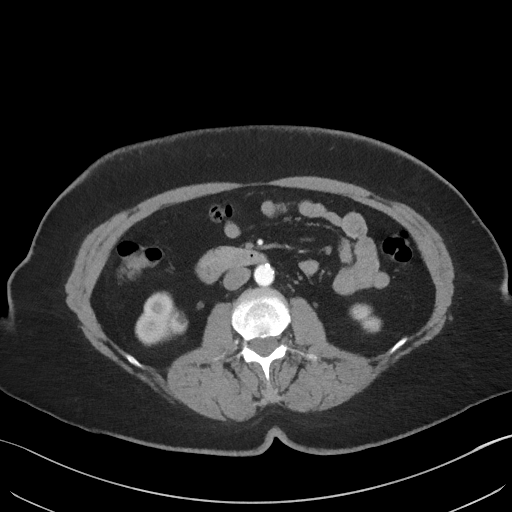
Axial slice 19 of 69 of a contrast-enhanced abdominal CT (slice 1 is the lowest), 140 kVp, kernel I41f; 3.00 mm slice thickness and 0.736 mm pixels.
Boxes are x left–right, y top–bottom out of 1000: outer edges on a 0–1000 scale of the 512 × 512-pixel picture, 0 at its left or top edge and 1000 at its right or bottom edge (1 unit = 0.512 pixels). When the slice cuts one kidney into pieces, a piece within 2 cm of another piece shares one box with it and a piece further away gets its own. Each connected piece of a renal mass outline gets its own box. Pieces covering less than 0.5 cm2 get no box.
Boxed on this slice (two kidney boxes and one renal mass box), listed by box centre from the image's left to its right: (1) Right kidney, box x 264–346, y 568–678 out of 1000 (outlined area 1,547 px, about 8.4 cm2). (2) Right renal mass at x 326–367, y 604–656 out of 1000 (outlined area 416 px, about 2.3 cm2). (3) Left kidney, box x 682–746, y 592–650 out of 1000 (outlined area 625 px, about 3.4 cm2).